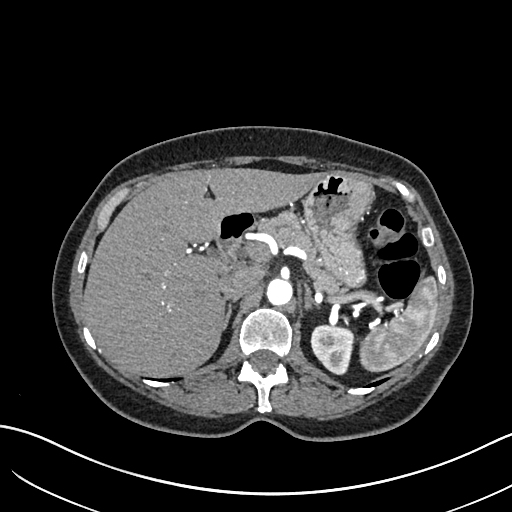
Axial slice 461 of 683 of a contrast-enhanced abdominal CT in the arterial phase (slice 1 is the lowest), 120 kVp, kernel I30f; 1.00 mm slice thickness and 0.738 mm pixels.
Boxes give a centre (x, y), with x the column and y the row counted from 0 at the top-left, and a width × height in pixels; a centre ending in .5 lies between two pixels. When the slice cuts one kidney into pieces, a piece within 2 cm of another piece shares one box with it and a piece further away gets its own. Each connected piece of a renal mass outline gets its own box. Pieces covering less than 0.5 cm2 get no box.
Box centre (331.5, 350), 44 × 51 pixels: left kidney (outlined area 1,702 px, about 9.3 cm2). This slice carries no renal mass outline.